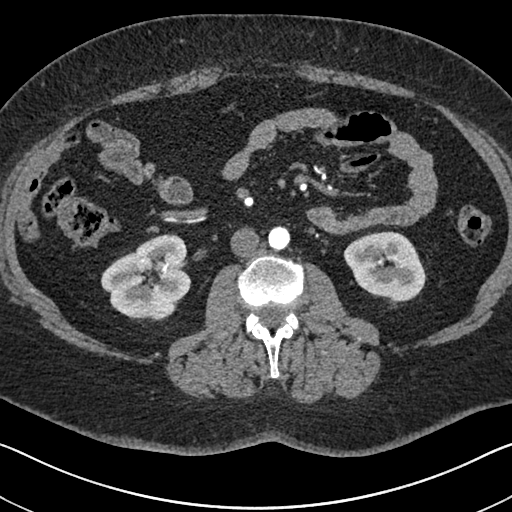
One axial slice (338 of 591, counting up from the lowest) of an arterial-phase abdominal CT acquired with 140 kVp, kernel I30f; each pixel is 0.703 mm and the slice is 1.00 mm thick.
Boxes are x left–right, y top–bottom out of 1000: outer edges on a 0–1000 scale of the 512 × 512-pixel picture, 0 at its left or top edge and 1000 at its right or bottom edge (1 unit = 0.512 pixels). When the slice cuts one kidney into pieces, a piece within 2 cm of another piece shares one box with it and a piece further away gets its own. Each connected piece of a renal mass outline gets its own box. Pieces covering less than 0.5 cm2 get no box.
Two boxes on this slice (two kidney boxes), listed by box centre from the image's left to its right. (1) Right kidney at x 197–375, y 457–629 out of 1000 (outlined area 5,613 px, about 27.7 cm2). (2) Box x 670–834, y 451–592 out of 1000: left kidney (outlined area 4,286 px, about 21.2 cm2). No renal mass is outlined on this slice.